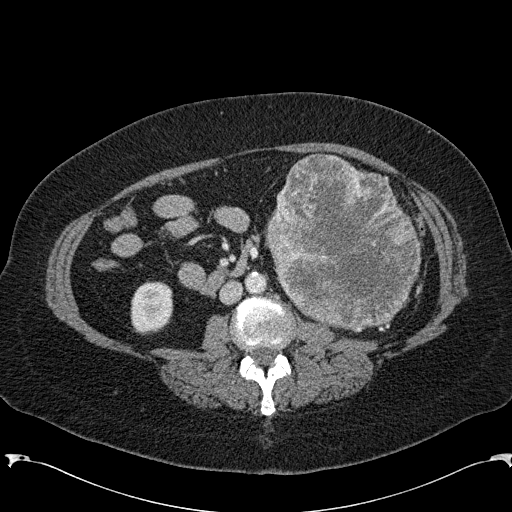
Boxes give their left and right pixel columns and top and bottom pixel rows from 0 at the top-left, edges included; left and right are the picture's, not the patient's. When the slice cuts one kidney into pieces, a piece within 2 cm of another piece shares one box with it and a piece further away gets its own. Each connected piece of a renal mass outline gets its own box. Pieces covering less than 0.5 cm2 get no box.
This is axial slice 99 of 285 (slice 1 is the lowest) of an arterial-phase abdominal CT with contrast; each pixel is 0.762 mm and the slice is 2.00 mm thick. Boxed on this slice (one kidney box and one renal mass box), listed by box centre from the image's left to its right: (1) Box with left 130, top 281, right 173, bottom 334: right kidney (outlined area 1,902 px, about 11.0 cm2). (2) Left renal mass, the box with left 264, top 152, right 422, bottom 332 (outlined area 20,609 px, about 119.6 cm2); it sits over 1 cm from every kidney outline on this slice, but the same outlined renal mass comes within 1 cm of the kidney on another slice.
Acquired at 120 kVp and reconstructed with the B31f kernel.